Axial slice 322 of 548 of a contrast-enhanced abdominal CT in the arterial phase (slice 1 is the lowest), 120 kVp, kernel I26f; 1.00 mm slice thickness and 0.852 mm pixels.
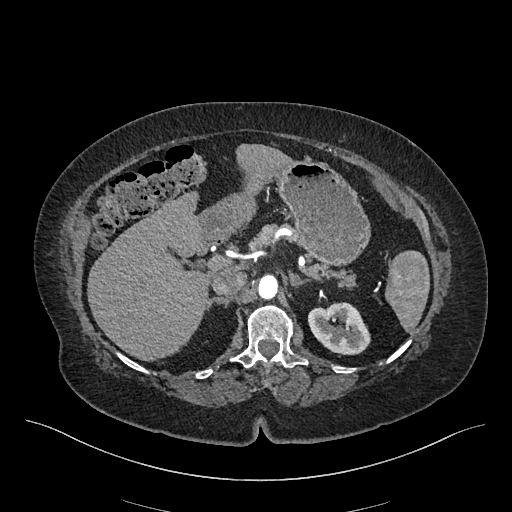
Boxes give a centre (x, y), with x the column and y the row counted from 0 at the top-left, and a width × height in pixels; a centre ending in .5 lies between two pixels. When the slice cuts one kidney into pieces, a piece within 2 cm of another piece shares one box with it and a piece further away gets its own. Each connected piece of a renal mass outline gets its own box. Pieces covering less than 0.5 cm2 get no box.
Box centre (338.5, 328), 64 × 53 pixels: left kidney (outlined area 2,433 px, about 17.6 cm2). No renal mass outline on this slice.